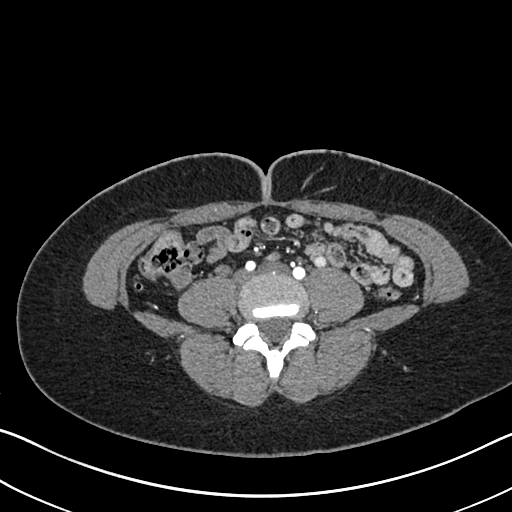
Axial slice 236 of 612 of a contrast-enhanced abdominal CT in the arterial phase (slice 1 is the lowest), 120 kVp, kernel I30f; 1.00 mm slice thickness and 0.703 mm pixels.
Outside the outlined region: no kidney outline and no renal mass outline on this slice. The scan's outlines cover only kidneys and renal masses; no other organ is outlined.